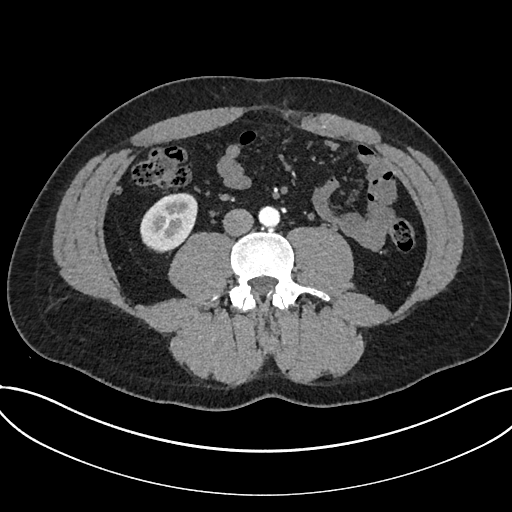
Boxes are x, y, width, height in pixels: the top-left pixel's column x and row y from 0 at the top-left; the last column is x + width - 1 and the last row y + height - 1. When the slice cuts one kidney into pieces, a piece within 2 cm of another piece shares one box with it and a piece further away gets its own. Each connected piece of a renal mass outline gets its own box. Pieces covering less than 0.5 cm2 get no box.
Arterial-phase contrast-enhanced abdominal CT, axial slice 290 of 735 (counted from the lowest slice); 1.00 mm thick, 0.789 mm per pixel. Kidney at x 140, y 193, width 58, height 60 (outlined area 2,596 px, about 16.2 cm2). No renal mass outline on this slice.
Scan settings: 120 kVp, I30f reconstruction kernel.